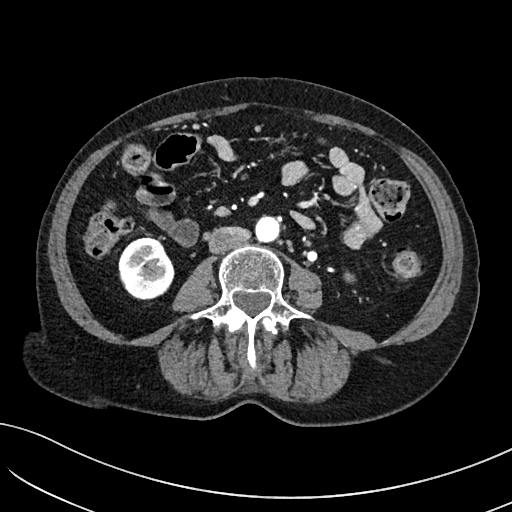
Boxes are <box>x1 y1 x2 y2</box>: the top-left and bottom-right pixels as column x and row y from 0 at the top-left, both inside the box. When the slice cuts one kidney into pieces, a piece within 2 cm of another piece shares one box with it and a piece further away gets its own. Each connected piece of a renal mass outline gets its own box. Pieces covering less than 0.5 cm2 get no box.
This is axial slice 21 of 234 (slice 1 is the lowest) of an arterial-phase abdominal CT with contrast; each pixel is 0.699 mm and the slice is 2.00 mm thick. Right kidney: <box>118 235 174 299</box> (outlined area 2,760 px, about 13.5 cm2). No renal mass outline on this slice.
Tube voltage 100 kVp; convolution kernel I40f.